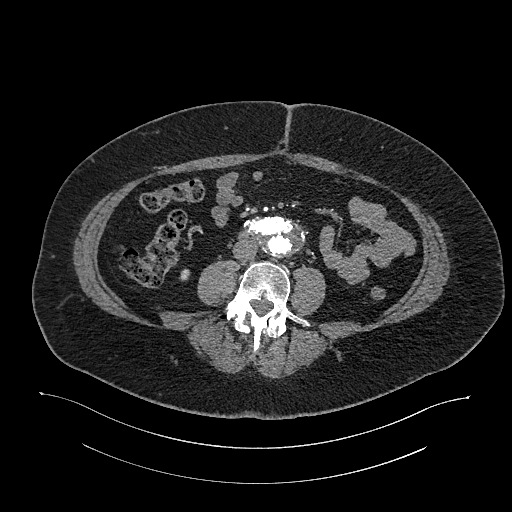
One axial slice (524 of 987, counting up from the lowest) of an arterial-phase abdominal CT acquired with 120 kVp, kernel I26f; each pixel is 0.977 mm and the slice is 1.00 mm thick.
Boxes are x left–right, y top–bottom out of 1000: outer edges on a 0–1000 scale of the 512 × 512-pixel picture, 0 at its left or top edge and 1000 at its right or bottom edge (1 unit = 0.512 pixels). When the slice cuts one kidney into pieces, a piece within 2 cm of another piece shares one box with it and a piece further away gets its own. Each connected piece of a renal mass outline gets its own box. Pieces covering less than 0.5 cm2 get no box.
Box x 352–373, y 525–549 out of 1000: right kidney (outlined area 99 px, about 0.9 cm2). No renal mass is outlined on this slice.